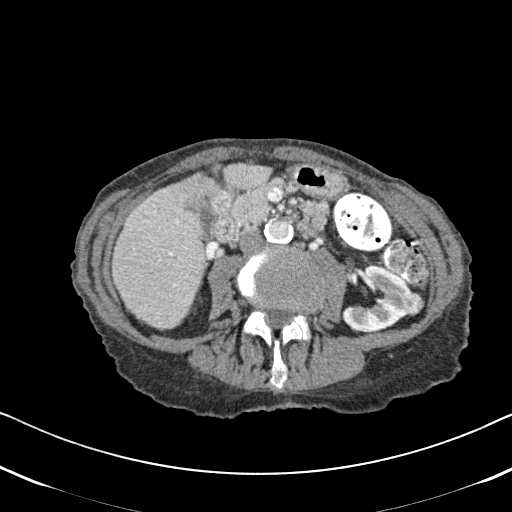
Abdominal CT with intravenous contrast, arterial phase, axial plane, 120 kVp, kernel B31f. Slice 273/620 from the bottom of the scan; thickness 2.00 mm; pixel size 0.637 mm.
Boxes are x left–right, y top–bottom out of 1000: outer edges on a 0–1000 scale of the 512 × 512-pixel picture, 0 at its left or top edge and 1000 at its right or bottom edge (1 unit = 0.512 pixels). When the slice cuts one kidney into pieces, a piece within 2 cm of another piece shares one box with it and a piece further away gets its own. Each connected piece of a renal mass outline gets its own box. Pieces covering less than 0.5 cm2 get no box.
One kidney box and one renal mass box on this slice; by box centre, from the image's left to its right: (1) Box x 664–805, y 516–650 out of 1000: left kidney (outlined area 2,973 px, about 12.1 cm2). (2) Box x 787–830, y 568–617 out of 1000: left renal mass (outlined area 401 px, about 1.6 cm2).